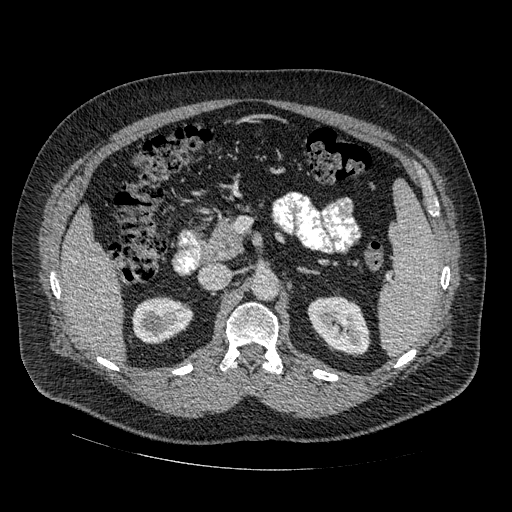
One axial slice (301 of 445, counting up from the lowest) of an arterial-phase abdominal CT acquired with 120 kVp, kernel STANDARD; each pixel is 0.863 mm and the slice is 1.25 mm thick.
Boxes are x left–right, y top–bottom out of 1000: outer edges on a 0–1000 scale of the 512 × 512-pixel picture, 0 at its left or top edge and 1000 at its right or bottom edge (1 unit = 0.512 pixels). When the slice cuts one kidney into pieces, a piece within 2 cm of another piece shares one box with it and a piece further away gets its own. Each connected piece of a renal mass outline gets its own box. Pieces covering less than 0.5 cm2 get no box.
Two kidney boxes on this slice; by box centre, from the image's left to its right: (1) Right kidney at x 258–379, y 580–672 out of 1000 (outlined area 2,193 px, about 16.3 cm2). (2) Left kidney at x 602–723, y 578–697 out of 1000 (outlined area 2,703 px, about 20.1 cm2). This slice carries no renal mass outline.